Contrast-enhanced abdominal CT, axial slice 38 of 43 (counted from the lowest slice); tube voltage 120 kVp, convolution kernel B31f; slices 5.00 mm thick, 0.701 mm per pixel.
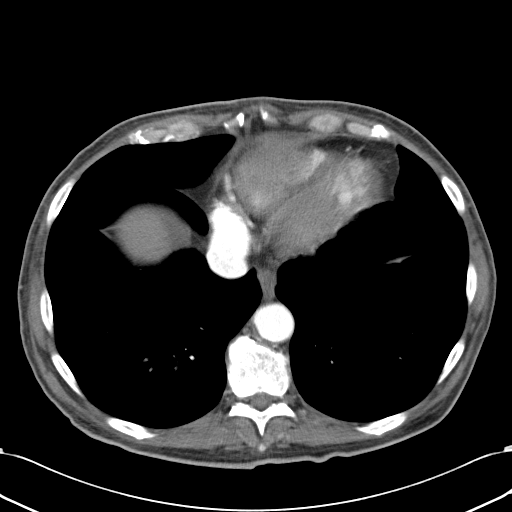
This slice carries no outline: it lies beyond the outlined kidneys and beyond every outlined renal mass. Other organs are not outlined in this scan.